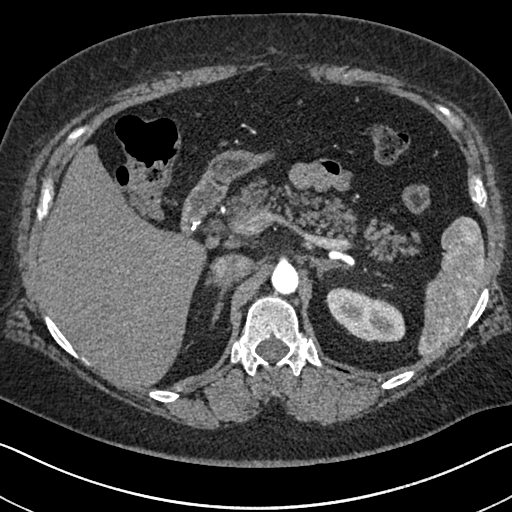
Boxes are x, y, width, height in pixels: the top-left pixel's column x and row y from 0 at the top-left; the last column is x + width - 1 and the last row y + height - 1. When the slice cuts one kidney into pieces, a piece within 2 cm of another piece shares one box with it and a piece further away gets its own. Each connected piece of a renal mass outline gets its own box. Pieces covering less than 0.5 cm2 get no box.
Arterial-phase contrast-enhanced abdominal CT, axial slice 488 of 591 (counted from the lowest slice); 1.00 mm thick, 0.703 mm per pixel. Left kidney at x 327, y 287, width 79, height 56 (outlined area 3,010 px, about 14.9 cm2). No renal mass outline on this slice.
Scan settings: 140 kVp, I30f reconstruction kernel.